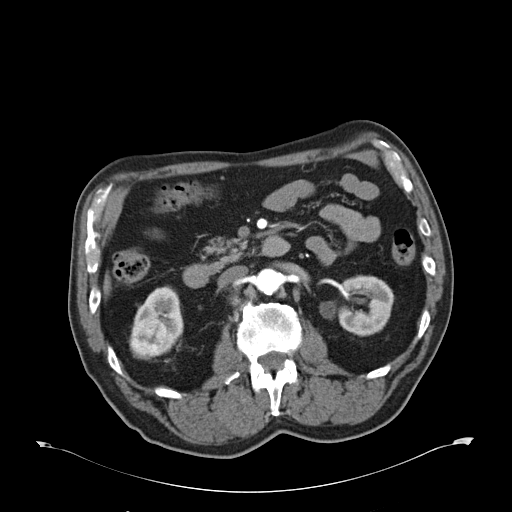
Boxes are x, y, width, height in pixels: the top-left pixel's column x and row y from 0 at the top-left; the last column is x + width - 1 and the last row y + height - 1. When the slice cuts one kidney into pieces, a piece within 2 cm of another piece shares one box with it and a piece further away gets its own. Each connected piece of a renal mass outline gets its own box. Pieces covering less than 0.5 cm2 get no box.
Slice 30/59 of a contrast-enhanced abdominal CT in the arterial phase, counting up from the lowest; pixel size 0.871 mm, slice thickness 5.00 mm. Three boxes on this slice (two kidney boxes and one renal mass box), listed by box centre from the image's left to its right. (1) Box x 129, y 317, width 39, height 44: right renal mass (outlined area 1,284 px, about 9.7 cm2). (2) Right kidney at x 133, y 286, width 51, height 71 (outlined area 1,683 px, about 12.8 cm2). (3) Box x 337, y 275, width 58, height 62: left kidney (outlined area 2,674 px, about 20.3 cm2).
Tube voltage 120 kVp; convolution kernel B30f.